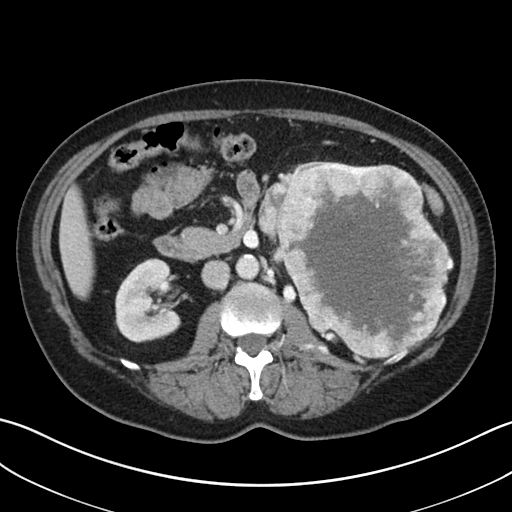
One axial slice (16 of 38, counting up from the lowest) of a contrast-enhanced abdominal CT acquired with 100 kVp, kernel I30f; each pixel is 0.730 mm and the slice is 5.00 mm thick.
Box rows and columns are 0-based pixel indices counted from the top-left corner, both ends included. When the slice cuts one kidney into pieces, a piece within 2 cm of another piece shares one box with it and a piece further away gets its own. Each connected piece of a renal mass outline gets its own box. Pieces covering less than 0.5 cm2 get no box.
Boxed on this slice (two kidney boxes and one renal mass box), listed by box centre from the image's left to its right: (1) Right kidney at rows 258–342, columns 115–180 (outlined area 4,312 px, about 23.0 cm2). (2) Left kidney at rows 161–173, columns 289–330 (outlined area 212 px, about 1.1 cm2). (3) Left renal mass at rows 161–358, columns 258–453 (outlined area 27,254 px, about 145.4 cm2).